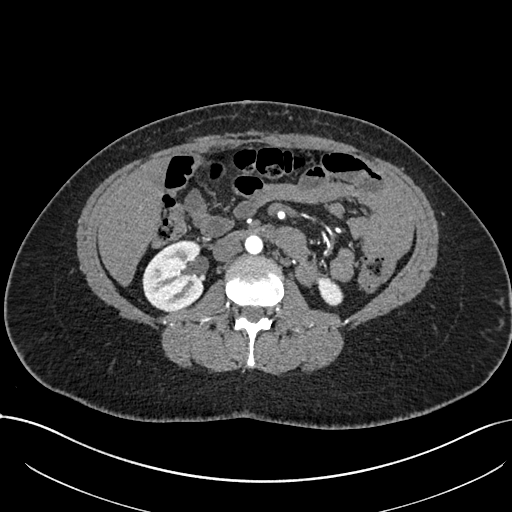
One axial slice (386 of 738, counting up from the lowest) of an arterial-phase abdominal CT acquired with 120 kVp, kernel I30f; each pixel is 0.789 mm and the slice is 1.00 mm thick.
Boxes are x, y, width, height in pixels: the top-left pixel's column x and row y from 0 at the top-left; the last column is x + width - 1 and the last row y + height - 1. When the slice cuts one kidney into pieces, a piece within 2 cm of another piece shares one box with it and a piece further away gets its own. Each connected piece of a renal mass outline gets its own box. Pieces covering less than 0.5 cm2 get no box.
Two boxes on this slice (two kidney boxes), listed by box centre from the image's left to its right. (1) Right kidney, box x 142, y 240, width 63, height 72 (outlined area 3,482 px, about 21.7 cm2). (2) Left kidney at x 317, y 277, width 27, height 30 (outlined area 568 px, about 3.5 cm2). No renal mass outline on this slice.